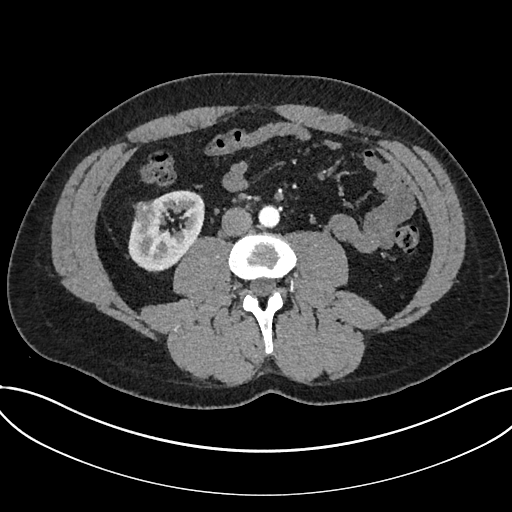
One axial slice (318 of 735, counting up from the lowest) of an arterial-phase abdominal CT acquired with 120 kVp, kernel I30f; each pixel is 0.789 mm and the slice is 1.00 mm thick.
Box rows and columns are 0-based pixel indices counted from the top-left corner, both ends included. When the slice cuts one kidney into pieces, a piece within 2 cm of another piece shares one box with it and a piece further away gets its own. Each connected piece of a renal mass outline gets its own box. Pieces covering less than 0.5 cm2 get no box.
One kidney box and one renal mass box on this slice; by box centre, from the image's left to its right: (1) Box rows 201–224, columns 134–158: renal mass (outlined area 491 px, about 3.1 cm2). (2) Box rows 190–271, columns 128–204: kidney (outlined area 3,989 px, about 24.8 cm2).